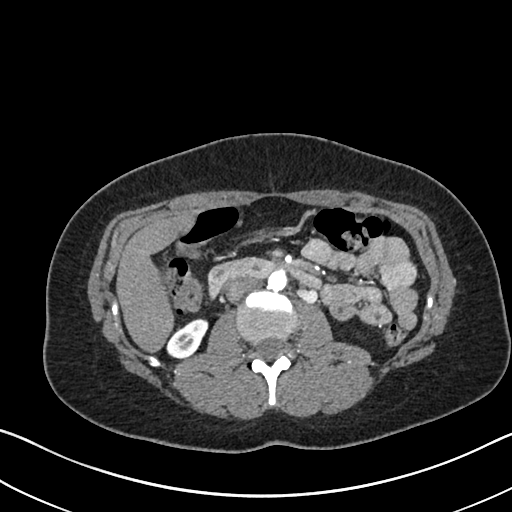
Arterial-phase contrast-enhanced abdominal CT, axial slice 369 of 612 (counted from the lowest slice); tube voltage 120 kVp, convolution kernel I30f; slices 1.00 mm thick, 0.703 mm per pixel.
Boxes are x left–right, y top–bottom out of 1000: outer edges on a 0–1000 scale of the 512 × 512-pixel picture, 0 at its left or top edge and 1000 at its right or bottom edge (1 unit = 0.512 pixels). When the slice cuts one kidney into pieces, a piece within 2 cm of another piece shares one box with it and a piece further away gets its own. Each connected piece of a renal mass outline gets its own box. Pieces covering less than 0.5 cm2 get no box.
Box x 324–408, y 621–699 out of 1000: right kidney (outlined area 1,104 px, about 5.5 cm2). No renal mass outline on this slice.